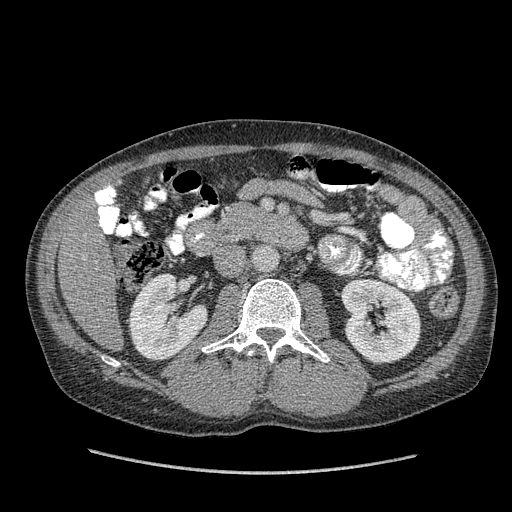
Arterial-phase contrast-enhanced abdominal CT, axial slice 201 of 349 (counted from the lowest slice); tube voltage 120 kVp, convolution kernel STANDARD; slices 1.25 mm thick, 0.742 mm per pixel.
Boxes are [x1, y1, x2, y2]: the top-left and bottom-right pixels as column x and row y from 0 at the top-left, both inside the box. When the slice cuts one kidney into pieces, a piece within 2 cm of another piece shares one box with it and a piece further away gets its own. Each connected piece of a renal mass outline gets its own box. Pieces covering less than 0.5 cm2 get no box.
Two boxes on this slice (two kidney boxes), listed by box centre from the image's left to its right. (1) Box [128, 273, 208, 360]: right kidney (outlined area 4,903 px, about 27.0 cm2). (2) Left kidney at [339, 278, 421, 364] (outlined area 5,288 px, about 29.1 cm2). No renal mass outline on this slice.